One axial slice (151 of 538, counting up from the lowest) of an arterial-phase abdominal CT acquired with 120 kVp, kernel B30f; each pixel is 0.811 mm and the slice is 1.00 mm thick.
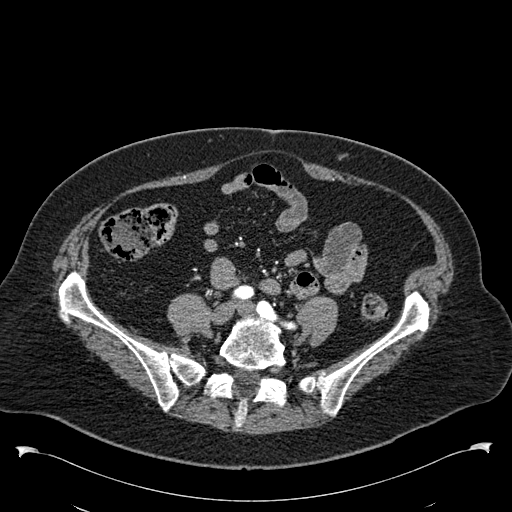
Outside the outlined region: no kidney outline and no renal mass outline on this slice. The scan's outlines cover only kidneys and renal masses; no other organ is outlined.